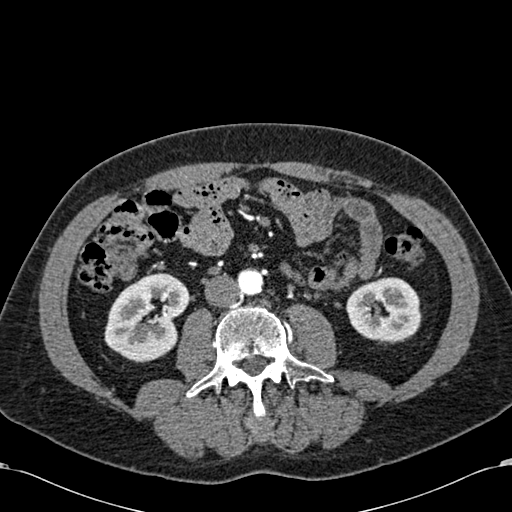
Axial slice 266 of 581 of a contrast-enhanced abdominal CT in the arterial phase (slice 1 is the lowest), 120 kVp, kernel B30f; 1.00 mm slice thickness and 0.713 mm pixels.
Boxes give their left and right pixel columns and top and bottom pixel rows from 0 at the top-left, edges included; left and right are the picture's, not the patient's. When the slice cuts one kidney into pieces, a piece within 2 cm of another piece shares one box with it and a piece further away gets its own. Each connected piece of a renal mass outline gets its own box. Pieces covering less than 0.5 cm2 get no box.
Two kidney boxes on this slice; by box centre, from the image's left to its right: (1) Box with left 104, top 272, right 190, bottom 362: right kidney (outlined area 5,437 px, about 27.6 cm2). (2) Box with left 346, top 277, right 421, bottom 343: left kidney (outlined area 3,897 px, about 19.8 cm2). This slice carries no renal mass outline.